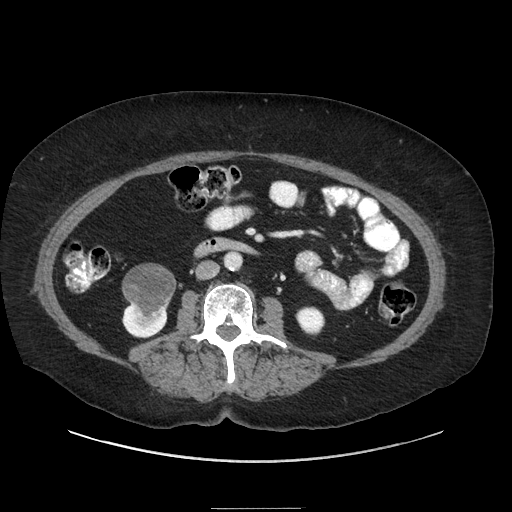
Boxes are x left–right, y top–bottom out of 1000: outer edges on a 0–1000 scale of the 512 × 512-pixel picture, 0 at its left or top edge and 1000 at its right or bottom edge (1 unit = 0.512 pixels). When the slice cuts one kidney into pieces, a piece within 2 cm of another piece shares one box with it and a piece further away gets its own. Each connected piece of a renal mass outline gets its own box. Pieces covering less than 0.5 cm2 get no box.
Contrast-enhanced abdominal CT, axial slice 109 of 186 (counted from the lowest slice); 2.50 mm thick, 0.850 mm per pixel. Three boxes on this slice (two kidney boxes and one renal mass box), listed by box centre from the image's left to its right. (1) Right kidney, box x 238–330, y 592–662 out of 1000 (outlined area 847 px, about 6.1 cm2). (2) Right renal mass at x 238–346, y 514–635 out of 1000 (outlined area 2,342 px, about 16.9 cm2). (3) Box x 576–635, y 598–656 out of 1000: left kidney (outlined area 669 px, about 4.8 cm2).
Acquired at 120 kVp and reconstructed with the STANDARD kernel.